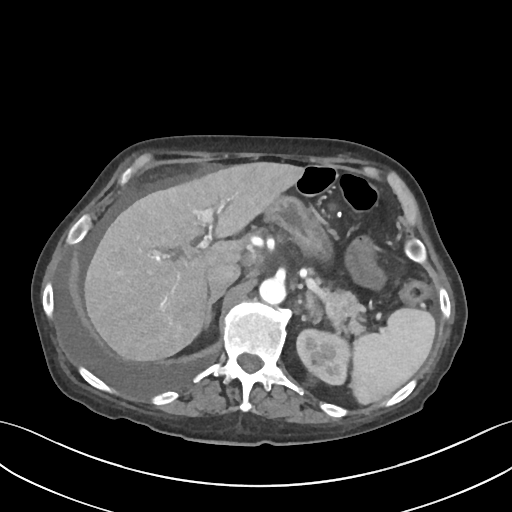
Axial slice 63 of 109 of a contrast-enhanced abdominal CT (slice 1 is the lowest), 120 kVp, kernel I30f; 3.00 mm slice thickness and 0.742 mm pixels.
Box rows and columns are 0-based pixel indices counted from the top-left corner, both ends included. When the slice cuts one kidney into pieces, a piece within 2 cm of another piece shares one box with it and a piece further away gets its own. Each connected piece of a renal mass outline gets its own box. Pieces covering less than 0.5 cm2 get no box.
Left kidney at rows 327–386, columns 295–349 (outlined area 2,565 px, about 14.1 cm2). This slice carries no renal mass outline.